One axial slice (308 of 626, counting up from the lowest) of an arterial-phase abdominal CT acquired with 120 kVp, kernel I30f; each pixel is 0.703 mm and the slice is 1.00 mm thick.
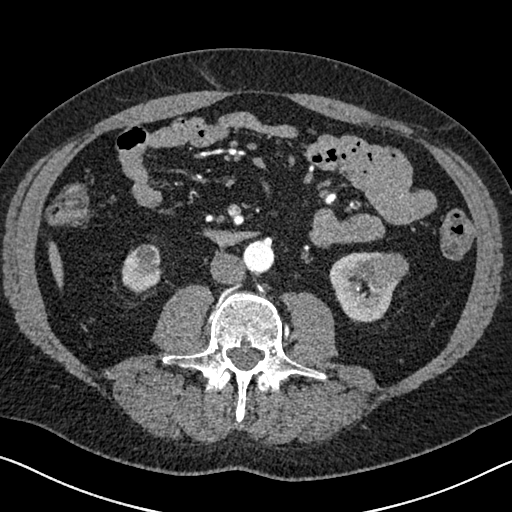
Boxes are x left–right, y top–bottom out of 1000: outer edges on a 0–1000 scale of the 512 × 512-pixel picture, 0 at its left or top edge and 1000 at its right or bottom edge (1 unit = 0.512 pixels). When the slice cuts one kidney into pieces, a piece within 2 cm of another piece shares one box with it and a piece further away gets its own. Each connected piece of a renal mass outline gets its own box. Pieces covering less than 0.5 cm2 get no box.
Two kidney boxes and one renal mass box on this slice; by box centre, from the image's left to its right: (1) Right kidney at x 236–316, y 477–576 out of 1000 (outlined area 1,541 px, about 7.6 cm2). (2) Left kidney, box x 643–779, y 492–631 out of 1000 (outlined area 2,654 px, about 13.1 cm2). (3) Left renal mass at x 695–799, y 490–559 out of 1000 (outlined area 1,412 px, about 7.0 cm2).